Contrast-enhanced abdominal CT, axial slice 205 of 734 (counted from the lowest slice); tube voltage 120 kVp, convolution kernel B31f; slices 2.00 mm thick, 0.971 mm per pixel.
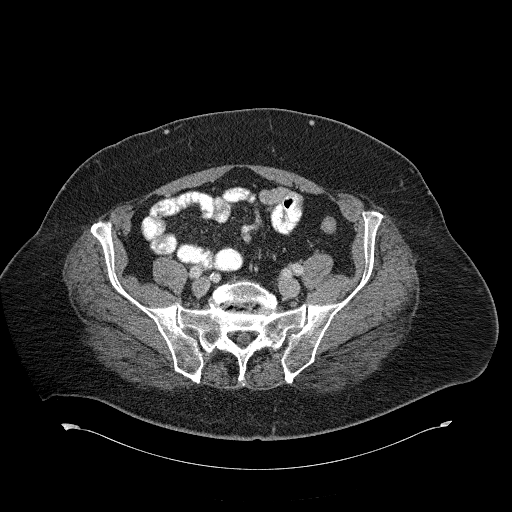
No kidney and no renal mass is outlined on this slice; the outlines in this scan cover only the kidneys and the renal masses, so nothing is said about any other organ.